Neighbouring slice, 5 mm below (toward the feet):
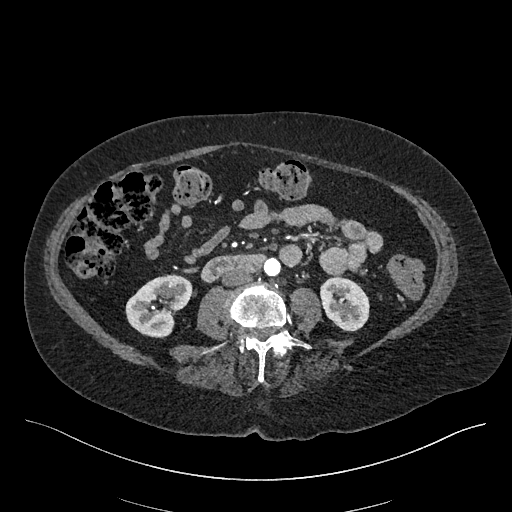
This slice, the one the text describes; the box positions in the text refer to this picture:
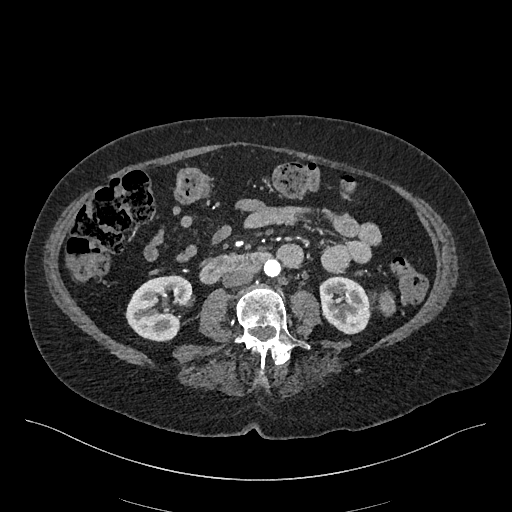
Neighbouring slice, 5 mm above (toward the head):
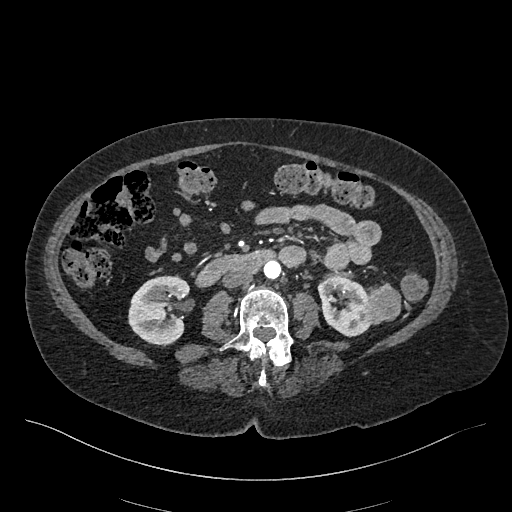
Arterial-phase contrast-enhanced abdominal CT, axial slice 197 of 548 (counted from the lowest slice); tube voltage 120 kVp, convolution kernel I26f; slices 1.00 mm thick, 0.852 mm per pixel.
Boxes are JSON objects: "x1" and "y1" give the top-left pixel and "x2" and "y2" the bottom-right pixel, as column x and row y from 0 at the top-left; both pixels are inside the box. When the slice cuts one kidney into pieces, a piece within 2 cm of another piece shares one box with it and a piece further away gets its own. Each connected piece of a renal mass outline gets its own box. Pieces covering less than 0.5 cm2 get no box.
Two kidney boxes and one renal mass box on this slice; by box centre, from the image's left to its right: (1) Right kidney at {"x1": 125, "y1": 274, "x2": 192, "y2": 341} (outlined area 3,167 px, about 23.0 cm2). (2) Left kidney, box {"x1": 319, "y1": 276, "x2": 370, "y2": 334} (outlined area 2,353 px, about 17.1 cm2). (3) Left renal mass at {"x1": 378, "y1": 290, "x2": 395, "y2": 316} (outlined area 356 px, about 2.6 cm2). This slice lies near the end of the left renal mass toward the feet; the slices 5 mm below and 5 mm above it are shown too, and the boxes mark positions on this slice only.